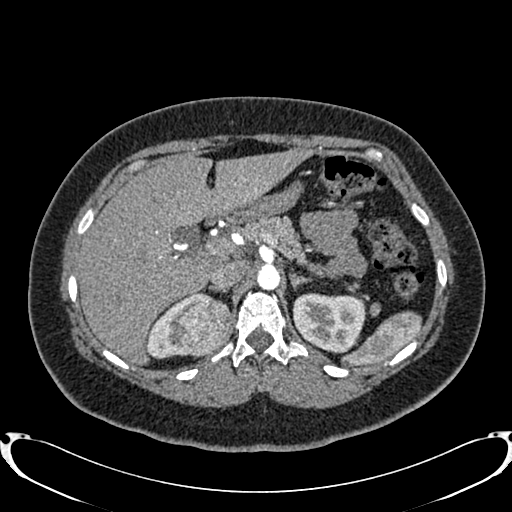
Arterial-phase contrast-enhanced abdominal CT, axial slice 565 of 719 (counted from the lowest slice); tube voltage 120 kVp, convolution kernel B20f; slices 1.00 mm thick, 0.766 mm per pixel.
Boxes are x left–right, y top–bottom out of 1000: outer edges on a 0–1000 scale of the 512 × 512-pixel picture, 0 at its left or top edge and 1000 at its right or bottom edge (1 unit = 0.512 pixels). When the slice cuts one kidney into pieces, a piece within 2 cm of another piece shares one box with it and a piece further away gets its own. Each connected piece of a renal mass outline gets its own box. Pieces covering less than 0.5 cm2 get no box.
Three boxes on this slice (two kidney boxes and one renal mass box), listed by box centre from the image's left to its right. (1) Box x 285–377, y 576–701 out of 1000: right kidney (outlined area 929 px, about 5.4 cm2). (2) Right renal mass at x 322–451, y 570–701 out of 1000 (outlined area 3,182 px, about 18.7 cm2). (3) Box x 570–717, y 572–691 out of 1000: left kidney (outlined area 3,539 px, about 20.7 cm2).